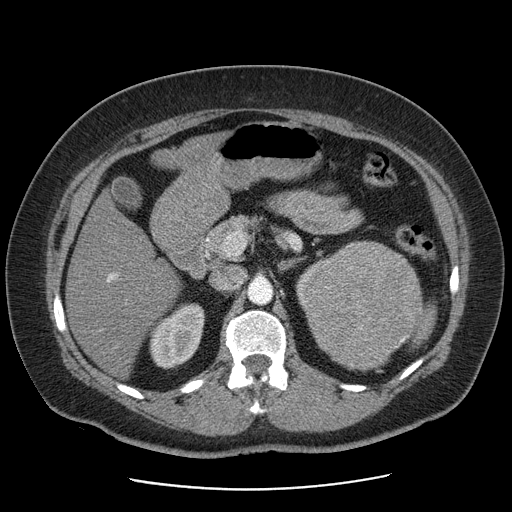
One axial slice (57 of 103, counting up from the lowest) of a contrast-enhanced abdominal CT acquired with 120 kVp, kernel STANDARD; each pixel is 0.736 mm and the slice is 2.50 mm thick.
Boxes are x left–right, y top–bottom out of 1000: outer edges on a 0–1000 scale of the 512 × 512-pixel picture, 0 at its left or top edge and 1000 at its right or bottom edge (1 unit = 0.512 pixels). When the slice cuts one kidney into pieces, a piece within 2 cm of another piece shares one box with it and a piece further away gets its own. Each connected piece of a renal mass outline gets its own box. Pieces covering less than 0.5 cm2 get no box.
Two kidney boxes and one renal mass box on this slice; by box centre, from the image's left to its right: (1) Right kidney at x 291–400, y 592–721 out of 1000 (outlined area 2,633 px, about 14.3 cm2). (2) Box x 576–635, y 502–607 out of 1000: left kidney (outlined area 425 px, about 2.3 cm2). (3) Box x 594–828, y 469–729 out of 1000: left renal mass (outlined area 11,780 px, about 63.9 cm2).